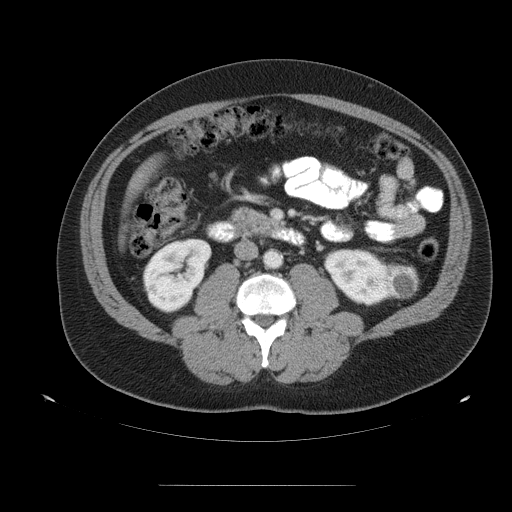
Axial slice 61 of 99 of a contrast-enhanced abdominal CT (slice 1 is the lowest), 120 kVp, kernel STANDARD; 5.00 mm slice thickness and 0.938 mm pixels.
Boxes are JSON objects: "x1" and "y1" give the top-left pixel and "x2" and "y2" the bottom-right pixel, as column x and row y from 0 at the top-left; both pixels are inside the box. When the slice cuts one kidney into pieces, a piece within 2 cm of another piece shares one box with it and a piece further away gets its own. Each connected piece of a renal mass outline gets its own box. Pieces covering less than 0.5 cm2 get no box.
Boxed on this slice (two kidney boxes and one renal mass box), listed by box centre from the image's left to its right: (1) Right kidney at {"x1": 142, "y1": 238, "x2": 211, "y2": 313} (outlined area 3,735 px, about 32.8 cm2). (2) Left kidney, box {"x1": 323, "y1": 248, "x2": 396, "y2": 306} (outlined area 2,921 px, about 25.7 cm2). (3) Left renal mass at {"x1": 386, "y1": 263, "x2": 419, "y2": 299} (outlined area 1,001 px, about 8.8 cm2).